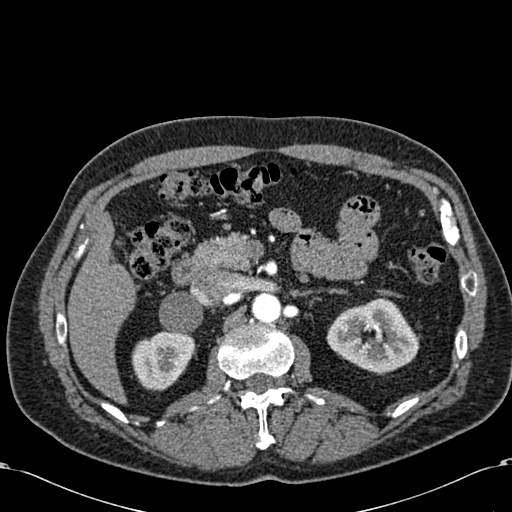
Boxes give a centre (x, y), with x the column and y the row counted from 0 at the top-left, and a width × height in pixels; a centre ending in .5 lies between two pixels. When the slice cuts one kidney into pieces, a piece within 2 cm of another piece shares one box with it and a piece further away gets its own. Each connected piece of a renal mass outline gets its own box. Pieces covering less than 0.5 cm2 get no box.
Arterial-phase contrast-enhanced abdominal CT, axial slice 394 of 581 (counted from the lowest slice); 1.00 mm thick, 0.713 mm per pixel. Boxed on this slice (two kidney boxes), listed by box centre from the image's left to its right: (1) Right kidney, box centre (162.5, 360.5), 64 × 62 pixels (outlined area 2,863 px, about 14.6 cm2). (2) Box centre (372.5, 334.5), 94 × 76 pixels: left kidney (outlined area 4,879 px, about 24.8 cm2). No renal mass outline on this slice.
Scan settings: 120 kVp, B30f reconstruction kernel.